Axial slice 225 of 274 of a contrast-enhanced abdominal CT (slice 1 is the lowest), 120 kVp, kernel B31f; 2.00 mm slice thickness and 0.977 mm pixels.
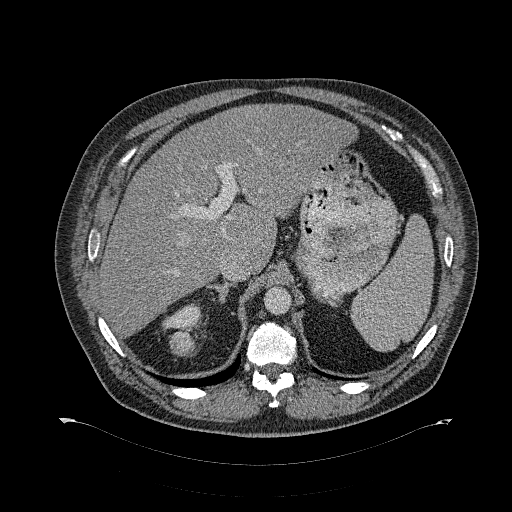
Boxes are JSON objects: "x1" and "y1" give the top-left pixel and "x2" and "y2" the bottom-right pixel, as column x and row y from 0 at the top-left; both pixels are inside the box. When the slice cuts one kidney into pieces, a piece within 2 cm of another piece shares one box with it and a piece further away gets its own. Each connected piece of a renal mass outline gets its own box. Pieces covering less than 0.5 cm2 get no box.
Two boxes on this slice (one kidney box and one renal mass box), listed by box centre from the image's left to its right. (1) Right kidney, box {"x1": 161, "y1": 303, "x2": 202, "y2": 328} (outlined area 714 px, about 6.8 cm2). (2) Box {"x1": 169, "y1": 331, "x2": 198, "y2": 356}: right renal mass (outlined area 574 px, about 5.5 cm2).